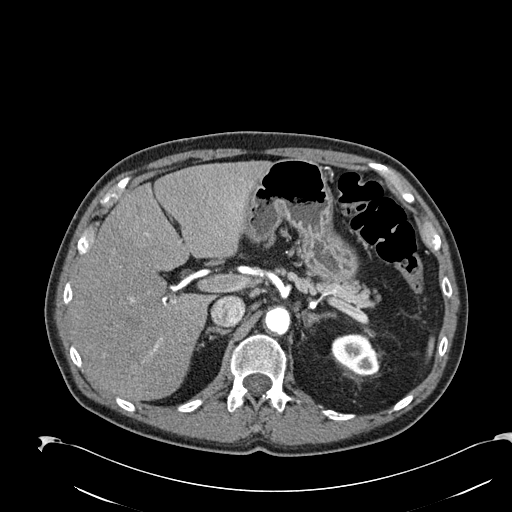
Arterial-phase contrast-enhanced abdominal CT, axial slice 165 of 274 (counted from the lowest slice); tube voltage 120 kVp, convolution kernel B30f; slices 2.00 mm thick, 0.809 mm per pixel.
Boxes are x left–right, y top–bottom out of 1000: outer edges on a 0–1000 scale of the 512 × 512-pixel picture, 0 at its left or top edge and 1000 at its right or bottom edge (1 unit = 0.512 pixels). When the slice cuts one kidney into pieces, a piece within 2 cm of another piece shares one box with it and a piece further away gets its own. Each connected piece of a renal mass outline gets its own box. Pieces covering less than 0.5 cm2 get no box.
Left kidney, box x 646–742, y 650–734 out of 1000 (outlined area 1,445 px, about 9.4 cm2). No renal mass is outlined on this slice.